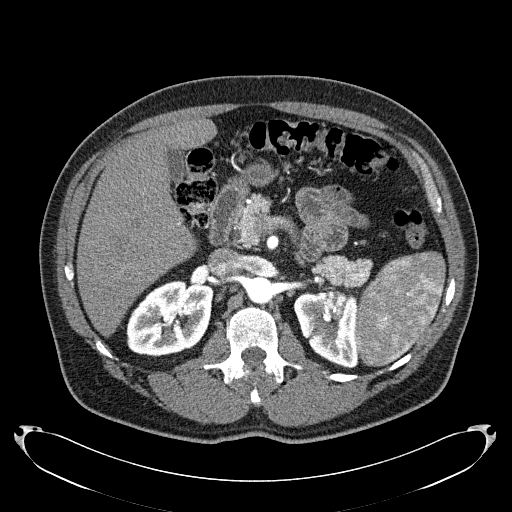
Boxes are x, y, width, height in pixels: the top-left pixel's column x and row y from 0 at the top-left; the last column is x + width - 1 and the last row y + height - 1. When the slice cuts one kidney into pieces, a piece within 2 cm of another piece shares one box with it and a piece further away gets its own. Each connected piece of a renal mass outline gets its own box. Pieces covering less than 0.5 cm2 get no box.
Arterial-phase contrast-enhanced abdominal CT, axial slice 142 of 279 (counted from the lowest slice); 2.00 mm thick, 0.824 mm per pixel. Two kidney boxes and one renal mass box on this slice; by box centre, from the image's left to its right: (1) Right kidney at x 126, y 279, width 88, height 78 (outlined area 5,137 px, about 34.9 cm2). (2) Left kidney, box x 293, y 290, width 66, height 79 (outlined area 3,523 px, about 23.9 cm2). (3) Box x 328, y 290, width 20, height 21: left renal mass (outlined area 321 px, about 2.2 cm2).
Tube voltage 120 kVp; convolution kernel B31f.